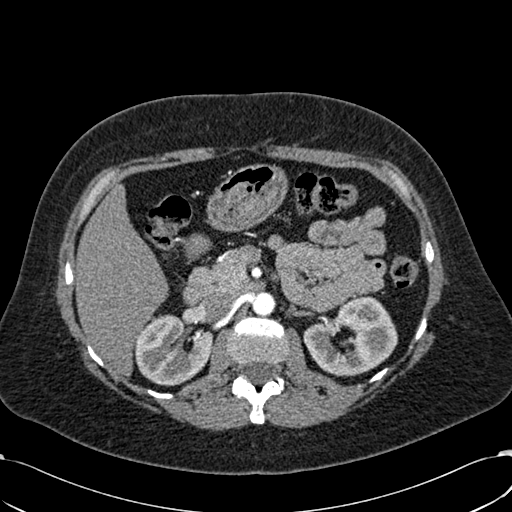
Arterial-phase contrast-enhanced abdominal CT, axial slice 390 of 532 (counted from the lowest slice); tube voltage 120 kVp, convolution kernel B30f; slices 1.00 mm thick, 0.713 mm per pixel.
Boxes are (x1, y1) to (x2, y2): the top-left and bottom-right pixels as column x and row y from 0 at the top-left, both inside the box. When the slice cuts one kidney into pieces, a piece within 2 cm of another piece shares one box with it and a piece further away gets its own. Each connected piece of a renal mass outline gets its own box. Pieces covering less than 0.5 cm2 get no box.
Two boxes on this slice (two kidney boxes), listed by box centre from the image's left to its right. (1) Box (134, 314) to (213, 385): right kidney (outlined area 4,129 px, about 21.0 cm2). (2) Left kidney, box (303, 296) to (397, 376) (outlined area 5,061 px, about 25.7 cm2). No renal mass is outlined on this slice.